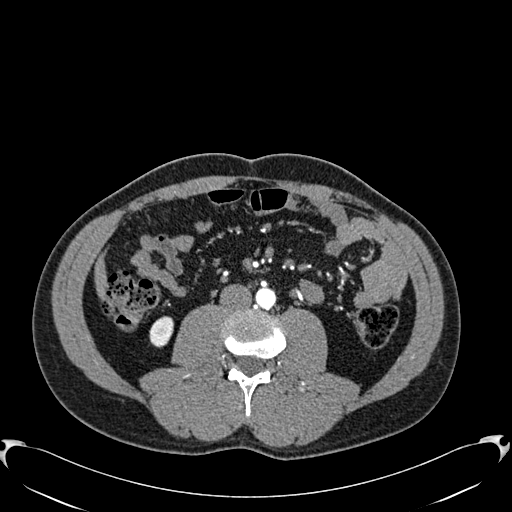
One axial slice (263 of 512, counting up from the lowest) of an arterial-phase abdominal CT acquired with 120 kVp, kernel B30f; each pixel is 0.771 mm and the slice is 1.00 mm thick.
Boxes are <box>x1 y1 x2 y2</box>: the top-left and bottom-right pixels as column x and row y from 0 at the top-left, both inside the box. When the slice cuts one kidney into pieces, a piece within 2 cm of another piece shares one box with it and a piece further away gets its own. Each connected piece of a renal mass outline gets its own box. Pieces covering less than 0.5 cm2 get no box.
At <box>149 316 173 347</box>: right kidney (outlined area 605 px, about 3.6 cm2). No renal mass is outlined on this slice.